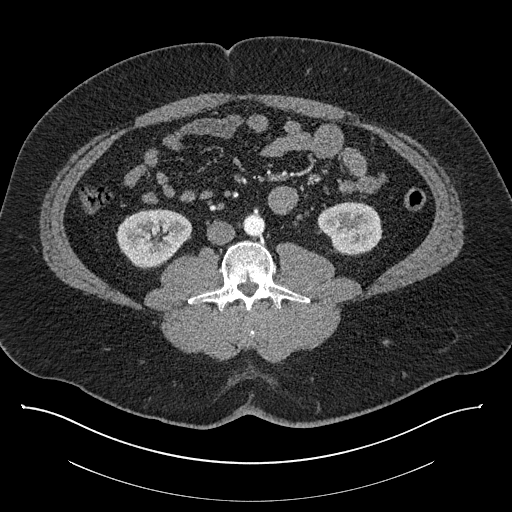
Axial slice 391 of 787 of a contrast-enhanced abdominal CT (slice 1 is the lowest), 140 kVp, kernel I30f; 1.00 mm slice thickness and 0.910 mm pixels.
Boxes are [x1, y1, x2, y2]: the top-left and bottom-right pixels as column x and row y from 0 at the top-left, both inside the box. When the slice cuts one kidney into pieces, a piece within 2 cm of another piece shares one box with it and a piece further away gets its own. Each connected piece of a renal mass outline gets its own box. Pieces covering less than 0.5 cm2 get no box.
Two boxes on this slice (two kidney boxes), listed by box centre from the image's left to its right. (1) Right kidney, box [116, 208, 191, 268] (outlined area 3,303 px, about 27.4 cm2). (2) Box [317, 201, 382, 255]: left kidney (outlined area 2,693 px, about 22.3 cm2). No renal mass outline on this slice.